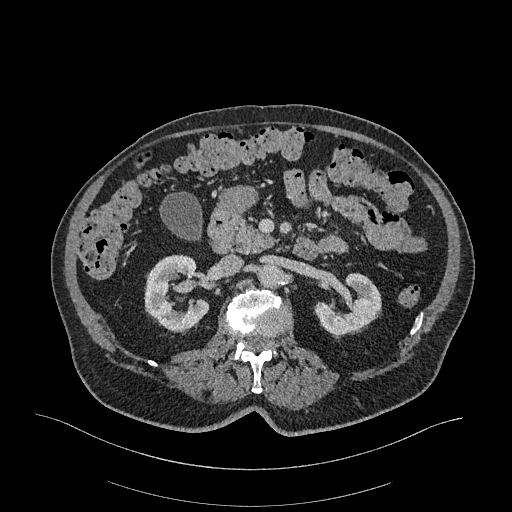
Abdominal CT with intravenous contrast, arterial phase, axial plane, 120 kVp, kernel I26f. Slice 176/470 from the bottom of the scan; thickness 1.00 mm; pixel size 0.938 mm.
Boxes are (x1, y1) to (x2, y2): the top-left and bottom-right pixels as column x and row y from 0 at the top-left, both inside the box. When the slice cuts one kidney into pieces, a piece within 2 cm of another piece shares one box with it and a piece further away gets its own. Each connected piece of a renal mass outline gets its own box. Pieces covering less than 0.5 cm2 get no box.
Boxed on this slice (two kidney boxes), listed by box centre from the image's left to its right: (1) Right kidney from (144, 254) to (209, 333) (outlined area 3,532 px, about 31.0 cm2). (2) Left kidney, box (314, 272) to (381, 338) (outlined area 2,753 px, about 24.2 cm2). No renal mass outline on this slice.